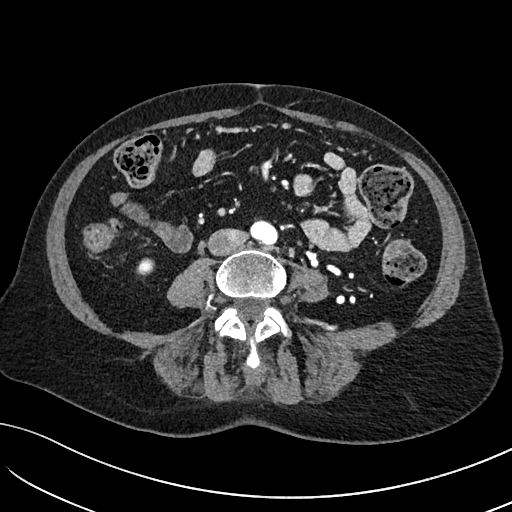
Axial slice 2 of 234 of a contrast-enhanced abdominal CT in the arterial phase (slice 1 is the lowest), 100 kVp, kernel I40f; 2.00 mm slice thickness and 0.699 mm pixels.
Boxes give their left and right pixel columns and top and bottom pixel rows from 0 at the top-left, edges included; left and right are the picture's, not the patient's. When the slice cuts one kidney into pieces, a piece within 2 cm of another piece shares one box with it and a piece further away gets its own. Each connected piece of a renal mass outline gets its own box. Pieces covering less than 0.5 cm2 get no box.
Box with left 136, top 258, right 154, bottom 275: right kidney (outlined area 258 px, about 1.3 cm2). No renal mass is outlined on this slice.